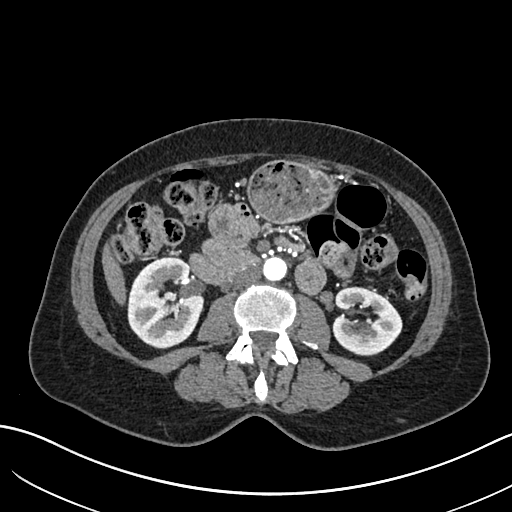
Axial slice 333 of 683 of a contrast-enhanced abdominal CT in the arterial phase (slice 1 is the lowest), 120 kVp, kernel I30f; 1.00 mm slice thickness and 0.738 mm pixels.
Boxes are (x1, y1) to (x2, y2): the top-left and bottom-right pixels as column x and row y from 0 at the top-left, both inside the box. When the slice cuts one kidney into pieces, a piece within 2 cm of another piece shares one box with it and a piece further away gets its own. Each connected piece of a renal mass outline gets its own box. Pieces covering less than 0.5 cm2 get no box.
Two kidney boxes on this slice; by box centre, from the image's left to its right: (1) Right kidney from (127, 256) to (204, 348) (outlined area 5,363 px, about 29.2 cm2). (2) Box (331, 286) to (402, 355): left kidney (outlined area 3,596 px, about 19.6 cm2). No renal mass outline on this slice.